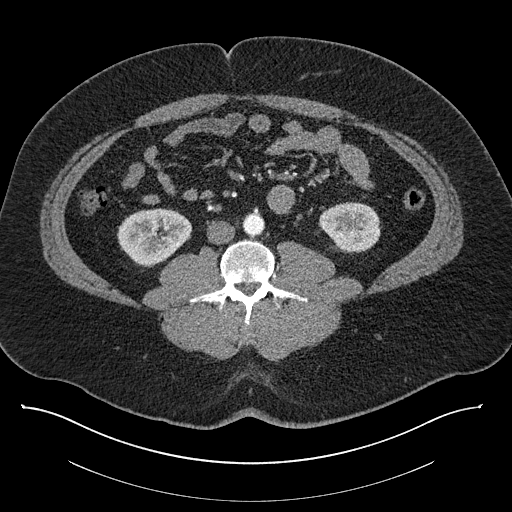
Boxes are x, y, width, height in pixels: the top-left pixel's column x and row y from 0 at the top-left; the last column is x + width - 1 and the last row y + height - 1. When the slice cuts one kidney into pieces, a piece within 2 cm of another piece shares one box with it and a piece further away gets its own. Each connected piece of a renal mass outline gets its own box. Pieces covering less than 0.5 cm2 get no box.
Contrast-enhanced abdominal CT, axial slice 385 of 787 (counted from the lowest slice); 1.00 mm thick, 0.910 mm per pixel. Boxed on this slice (two kidney boxes), listed by box centre from the image's left to its right: (1) Right kidney at x 117, y 208, width 75, height 58 (outlined area 3,219 px, about 26.7 cm2). (2) Box x 318, y 202, width 64, height 51: left kidney (outlined area 2,445 px, about 20.3 cm2). No renal mass outline on this slice.
Scan settings: 140 kVp, I30f reconstruction kernel.